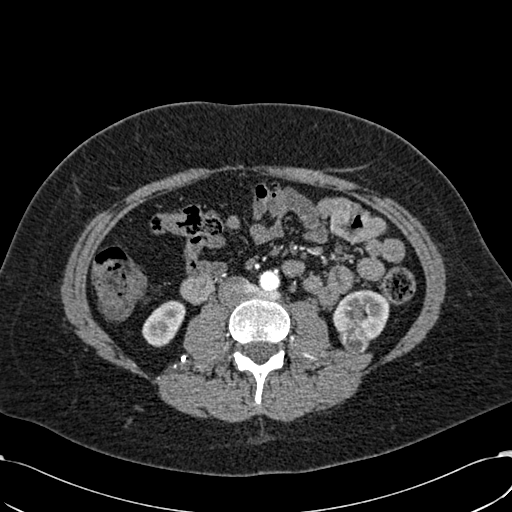
One axial slice (280 of 532, counting up from the lowest) of an arterial-phase abdominal CT acquired with 120 kVp, kernel B30f; each pixel is 0.713 mm and the slice is 1.00 mm thick.
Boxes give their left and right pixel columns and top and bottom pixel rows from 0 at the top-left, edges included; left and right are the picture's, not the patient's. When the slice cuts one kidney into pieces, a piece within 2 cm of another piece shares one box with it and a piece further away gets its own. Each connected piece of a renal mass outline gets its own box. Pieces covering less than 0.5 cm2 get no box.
Boxed on this slice (two kidney boxes and one renal mass box), listed by box centre from the image's left to its right: (1) Right kidney, the box with left 142, top 300, right 185, bottom 347 (outlined area 1,405 px, about 7.1 cm2). (2) Left renal mass in the box with left 339, top 326, right 369, bottom 354 (outlined area 629 px, about 3.2 cm2). (3) Box with left 332, top 289, right 390, bottom 340: left kidney (outlined area 2,042 px, about 10.4 cm2).